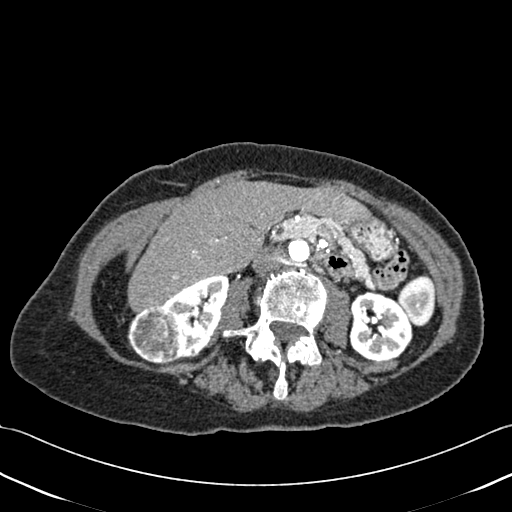
Contrast-enhanced abdominal CT, axial slice 218 of 433 (counted from the lowest slice); tube voltage 120 kVp, convolution kernel B30f; slices 1.00 mm thick, 0.672 mm per pixel.
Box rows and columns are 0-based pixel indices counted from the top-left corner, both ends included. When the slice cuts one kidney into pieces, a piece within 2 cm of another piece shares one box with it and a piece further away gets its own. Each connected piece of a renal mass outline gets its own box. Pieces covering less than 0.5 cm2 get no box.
Three boxes on this slice (two kidney boxes and one renal mass box), listed by box centre from the image's left to its right. (1) Box rows 306–365, columns 127–184: right renal mass (outlined area 2,633 px, about 11.9 cm2). (2) Right kidney at rows 275–359, columns 162–229 (outlined area 3,141 px, about 14.2 cm2). (3) Left kidney, box rows 291–361, columns 348–412 (outlined area 3,541 px, about 16.0 cm2).